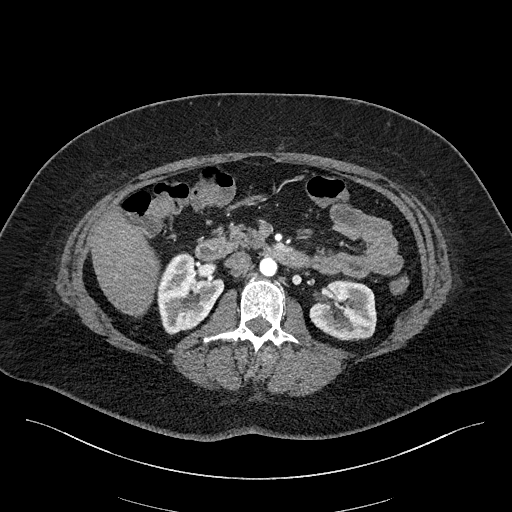
Axial slice 105 of 270 of a contrast-enhanced abdominal CT in the arterial phase (slice 1 is the lowest), 100 kVp, kernel I40f; 2.00 mm slice thickness and 0.855 mm pixels.
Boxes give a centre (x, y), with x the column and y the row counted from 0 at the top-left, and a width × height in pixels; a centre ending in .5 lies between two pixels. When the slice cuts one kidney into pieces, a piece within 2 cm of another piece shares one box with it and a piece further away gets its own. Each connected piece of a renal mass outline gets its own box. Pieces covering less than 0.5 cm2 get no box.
Two kidney boxes on this slice; by box centre, from the image's left to its right: (1) Box centre (190.5, 293), 68 × 83 pixels: right kidney (outlined area 3,856 px, about 28.2 cm2). (2) Left kidney in a box with centre (342.5, 309.5), 68 × 62 pixels (outlined area 3,277 px, about 24.0 cm2). This slice carries no renal mass outline.